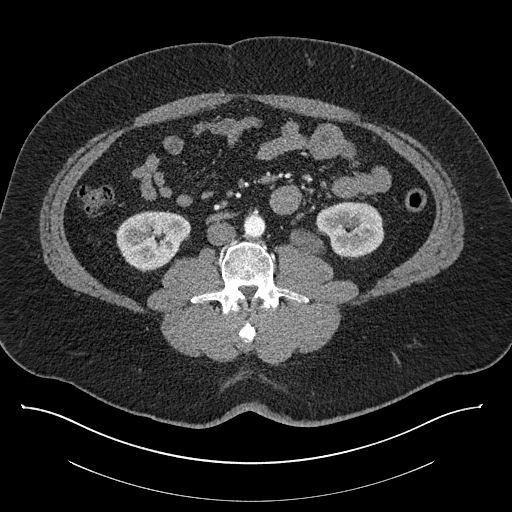
One axial slice (401 of 787, counting up from the lowest) of a contrast-enhanced abdominal CT acquired with 140 kVp, kernel I30f; each pixel is 0.910 mm and the slice is 1.00 mm thick.
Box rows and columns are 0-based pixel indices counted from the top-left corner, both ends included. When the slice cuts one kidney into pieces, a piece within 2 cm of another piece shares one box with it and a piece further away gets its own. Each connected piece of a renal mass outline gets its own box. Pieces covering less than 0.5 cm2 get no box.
Two kidney boxes on this slice; by box centre, from the image's left to its right: (1) Right kidney at rows 211–271, columns 114–191 (outlined area 3,393 px, about 28.1 cm2). (2) Box rows 201–257, columns 290–384: left kidney (outlined area 3,543 px, about 29.3 cm2). No renal mass is outlined on this slice.